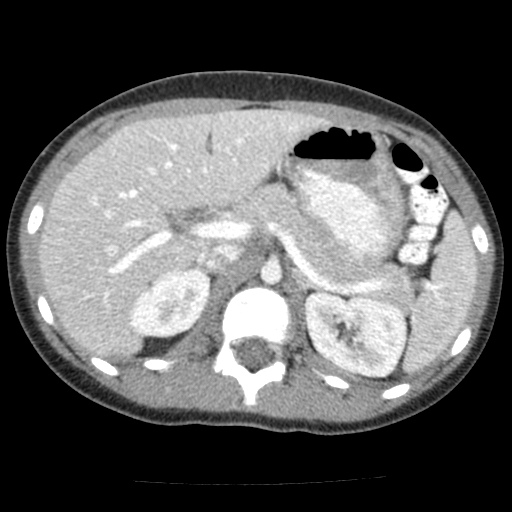
Axial slice 92 of 117 of a contrast-enhanced abdominal CT in the arterial phase (slice 1 is the lowest), 120 kVp, kernel FC12; 3.00 mm slice thickness and 0.518 mm pixels.
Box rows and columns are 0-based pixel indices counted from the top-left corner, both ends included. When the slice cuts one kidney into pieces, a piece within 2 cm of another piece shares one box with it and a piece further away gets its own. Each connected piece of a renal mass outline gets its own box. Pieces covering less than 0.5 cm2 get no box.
Two boxes on this slice (two kidney boxes), listed by box centre from the image's left to its right. (1) Right kidney at rows 267–338, columns 130–210 (outlined area 4,127 px, about 11.1 cm2). (2) Left kidney, box rows 292–378, columns 305–407 (outlined area 6,822 px, about 18.3 cm2). No renal mass is outlined on this slice.